Axial slice 402 of 538 of a contrast-enhanced abdominal CT in the arterial phase (slice 1 is the lowest), 120 kVp, kernel B30f; 1.00 mm slice thickness and 0.811 mm pixels.
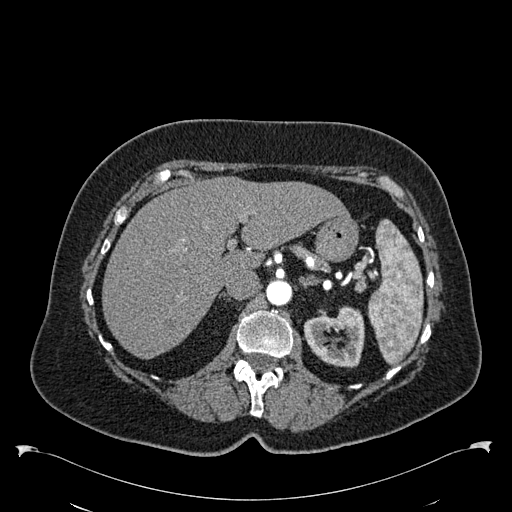
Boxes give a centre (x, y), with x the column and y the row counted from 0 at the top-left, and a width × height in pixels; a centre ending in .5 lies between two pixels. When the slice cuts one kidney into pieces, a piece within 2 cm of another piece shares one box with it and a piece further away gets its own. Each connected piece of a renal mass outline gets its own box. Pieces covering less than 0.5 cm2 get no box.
Box centre (333.5, 336.5), 62 × 62 pixels: left kidney (outlined area 2,673 px, about 17.6 cm2). No renal mass is outlined on this slice.